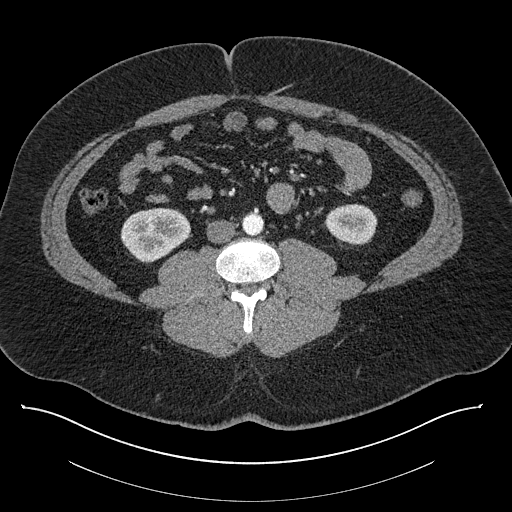
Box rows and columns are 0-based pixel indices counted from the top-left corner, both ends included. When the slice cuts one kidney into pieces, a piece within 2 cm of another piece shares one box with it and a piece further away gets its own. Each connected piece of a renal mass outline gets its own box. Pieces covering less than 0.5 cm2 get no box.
This is axial slice 371 of 787 (slice 1 is the lowest) of an abdominal CT with contrast; each pixel is 0.910 mm and the slice is 1.00 mm thick. Boxed on this slice (two kidney boxes), listed by box centre from the image's left to its right: (1) Right kidney, box rows 207–262, columns 120–190 (outlined area 2,874 px, about 23.8 cm2). (2) Left kidney, box rows 203–245, columns 325–377 (outlined area 1,715 px, about 14.2 cm2). No renal mass outline on this slice.
Tube voltage 140 kVp; convolution kernel I30f.